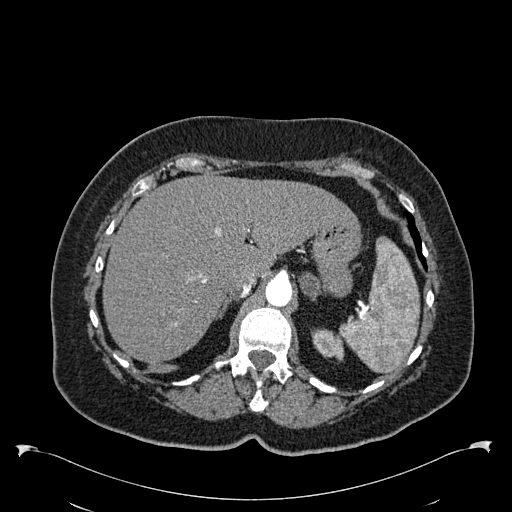
Arterial-phase contrast-enhanced abdominal CT, axial slice 444 of 538 (counted from the lowest slice); tube voltage 120 kVp, convolution kernel B30f; slices 1.00 mm thick, 0.811 mm per pixel.
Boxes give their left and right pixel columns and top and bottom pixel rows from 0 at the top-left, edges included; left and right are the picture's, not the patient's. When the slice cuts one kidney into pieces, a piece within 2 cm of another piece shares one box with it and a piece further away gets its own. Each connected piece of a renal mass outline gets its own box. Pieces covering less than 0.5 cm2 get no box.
Left kidney in the box with left 311, top 329, right 344, bottom 361 (outlined area 769 px, about 5.1 cm2). This slice carries no renal mass outline.